One axial slice (48 of 76, counting up from the lowest) of a contrast-enhanced abdominal CT acquired with 120 kVp, kernel STANDARD; each pixel is 0.586 mm and the slice is 2.50 mm thick.
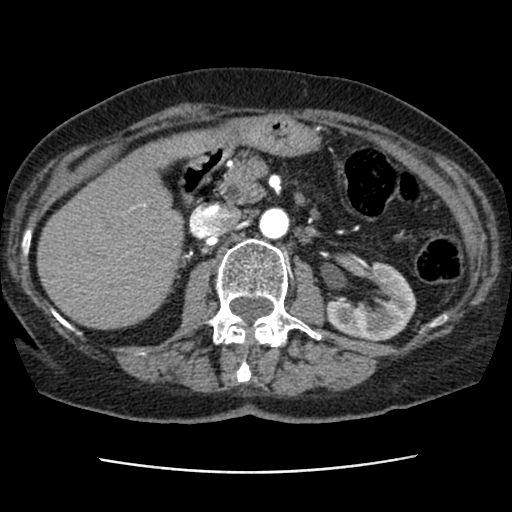
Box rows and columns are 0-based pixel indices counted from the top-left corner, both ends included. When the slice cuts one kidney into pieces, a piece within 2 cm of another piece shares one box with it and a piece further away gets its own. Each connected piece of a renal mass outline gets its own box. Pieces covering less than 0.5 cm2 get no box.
Left kidney, box rows 261–340, columns 326–416 (outlined area 4,352 px, about 14.9 cm2). This slice carries no renal mass outline.